Arterial-phase contrast-enhanced abdominal CT, axial slice 466 of 612 (counted from the lowest slice); tube voltage 120 kVp, convolution kernel I30f; slices 1.00 mm thick, 0.703 mm per pixel.
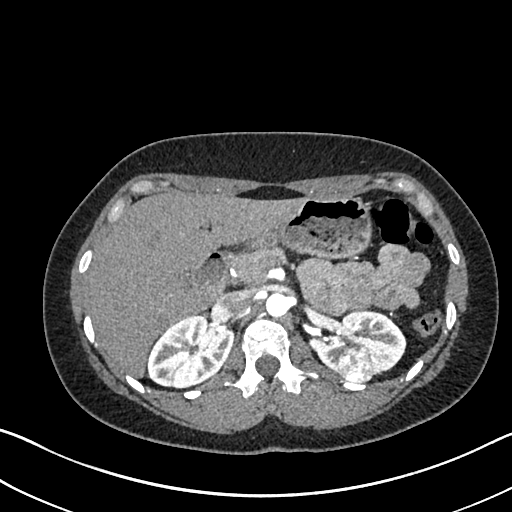
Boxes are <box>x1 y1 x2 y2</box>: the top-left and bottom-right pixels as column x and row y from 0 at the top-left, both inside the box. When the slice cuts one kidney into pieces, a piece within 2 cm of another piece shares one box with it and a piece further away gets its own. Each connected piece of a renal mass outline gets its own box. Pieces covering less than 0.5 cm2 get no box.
Boxed on this slice (two kidney boxes and one renal mass box), listed by box centre from the image's left to its right: (1) At <box>147 315 234 388</box>: right kidney (outlined area 4,629 px, about 22.9 cm2). (2) At <box>337 345 373 381</box>: left renal mass (outlined area 1,106 px, about 5.5 cm2). (3) At <box>316 310 406 375</box>: left kidney (outlined area 3,502 px, about 17.3 cm2).